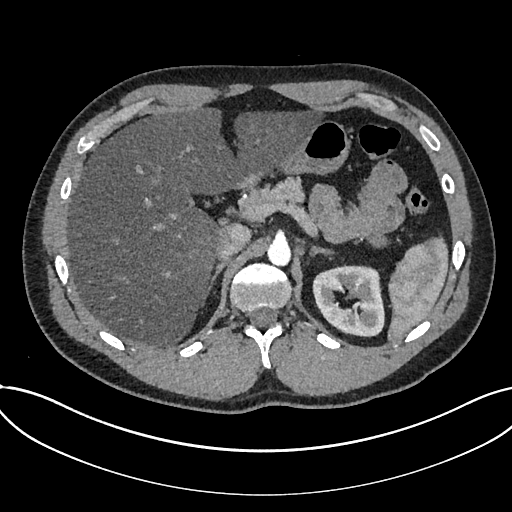
Axial slice 525 of 735 of a contrast-enhanced abdominal CT in the arterial phase (slice 1 is the lowest), 120 kVp, kernel I30f; 1.00 mm slice thickness and 0.789 mm pixels.
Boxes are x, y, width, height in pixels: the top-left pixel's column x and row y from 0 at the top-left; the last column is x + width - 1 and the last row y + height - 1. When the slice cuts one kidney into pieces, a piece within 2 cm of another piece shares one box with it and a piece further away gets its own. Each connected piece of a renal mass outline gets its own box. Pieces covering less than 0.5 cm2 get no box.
Kidney at x 312, y 264, width 73, height 74 (outlined area 4,038 px, about 25.1 cm2). No renal mass is outlined on this slice.